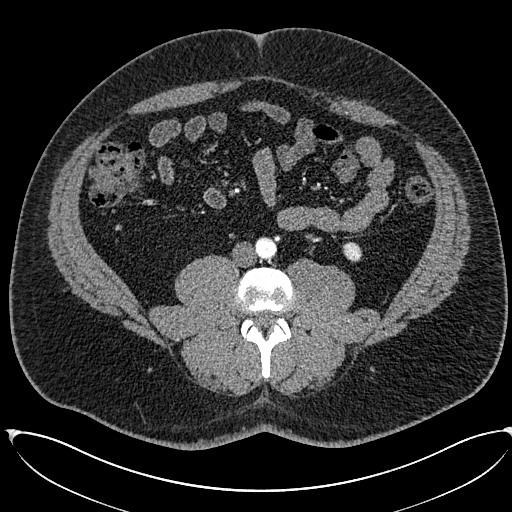
One axial slice (219 of 673, counting up from the lowest) of an arterial-phase abdominal CT acquired with 120 kVp, kernel I30f; each pixel is 0.855 mm and the slice is 1.00 mm thick.
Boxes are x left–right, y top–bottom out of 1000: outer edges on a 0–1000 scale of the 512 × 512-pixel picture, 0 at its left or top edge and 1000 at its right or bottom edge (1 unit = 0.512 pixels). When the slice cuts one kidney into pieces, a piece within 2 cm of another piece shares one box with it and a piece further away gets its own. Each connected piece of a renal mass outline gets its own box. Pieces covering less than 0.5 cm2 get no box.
Left kidney, box x 668–709, y 473–514 out of 1000 (outlined area 322 px, about 2.4 cm2). No renal mass outline on this slice.